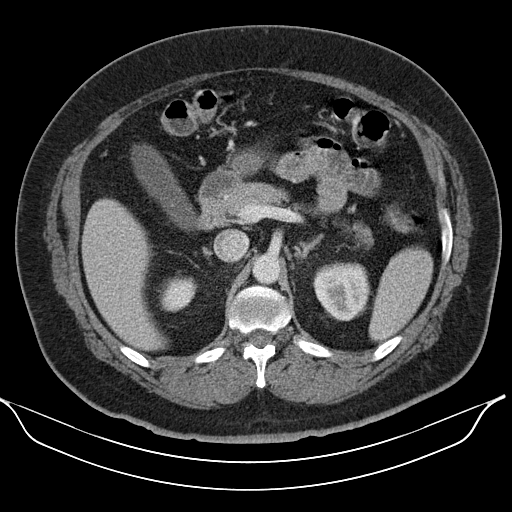
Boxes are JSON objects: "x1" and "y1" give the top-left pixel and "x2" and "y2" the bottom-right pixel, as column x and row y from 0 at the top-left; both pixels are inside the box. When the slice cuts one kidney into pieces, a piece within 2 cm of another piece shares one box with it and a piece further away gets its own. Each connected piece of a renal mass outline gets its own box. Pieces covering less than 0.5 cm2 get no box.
This is axial slice 77 of 110 (slice 1 is the lowest) of an arterial-phase abdominal CT with contrast; each pixel is 0.836 mm and the slice is 5.00 mm thick. Two boxes on this slice (two kidney boxes), listed by box centre from the image's left to its right. (1) Right kidney, box {"x1": 158, "y1": 275, "x2": 197, "y2": 312} (outlined area 1,065 px, about 7.4 cm2). (2) Box {"x1": 312, "y1": 262, "x2": 369, "y2": 321}: left kidney (outlined area 2,708 px, about 18.9 cm2). No renal mass outline on this slice.
Scan settings: 130 kVp, B30s reconstruction kernel.